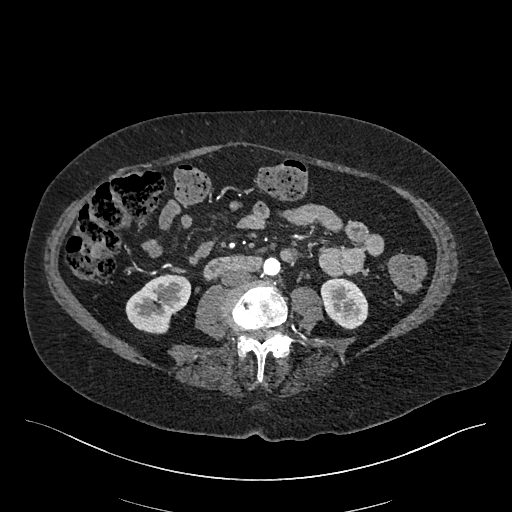
Axial slice 180 of 548 of a contrast-enhanced abdominal CT in the arterial phase (slice 1 is the lowest), 120 kVp, kernel I26f; 1.00 mm slice thickness and 0.852 mm pixels.
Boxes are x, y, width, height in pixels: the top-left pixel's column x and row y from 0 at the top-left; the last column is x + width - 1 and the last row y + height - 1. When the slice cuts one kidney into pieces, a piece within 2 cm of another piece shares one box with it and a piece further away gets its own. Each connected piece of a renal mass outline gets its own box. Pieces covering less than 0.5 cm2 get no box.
Two kidney boxes on this slice; by box centre, from the image's left to its right: (1) Box x 125, y 274, width 66, height 61: right kidney (outlined area 2,716 px, about 19.7 cm2). (2) Left kidney at x 320, y 277, width 49, height 53 (outlined area 1,891 px, about 13.7 cm2). No renal mass outline on this slice.